Abdominal CT with intravenous contrast, arterial phase, axial plane, 100 kVp, kernel I40f. Slice 73/316 from the bottom of the scan; thickness 2.00 mm; pixel size 0.840 mm.
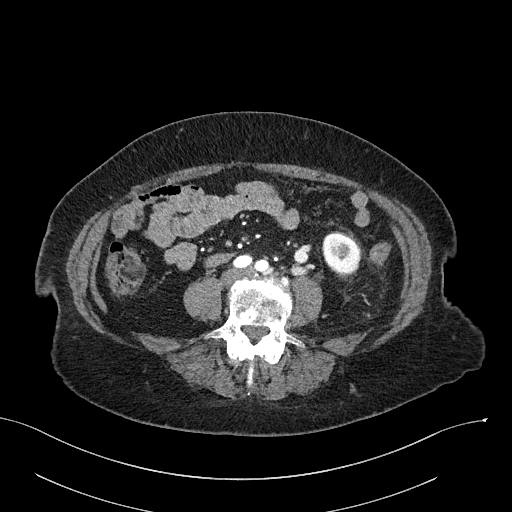
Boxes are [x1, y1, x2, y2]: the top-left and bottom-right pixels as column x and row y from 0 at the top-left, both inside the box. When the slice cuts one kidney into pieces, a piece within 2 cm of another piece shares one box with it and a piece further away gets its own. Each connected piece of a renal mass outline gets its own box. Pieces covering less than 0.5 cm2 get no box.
Box [322, 233, 360, 273]: left kidney (outlined area 1,278 px, about 9.0 cm2). This slice carries no renal mass outline.